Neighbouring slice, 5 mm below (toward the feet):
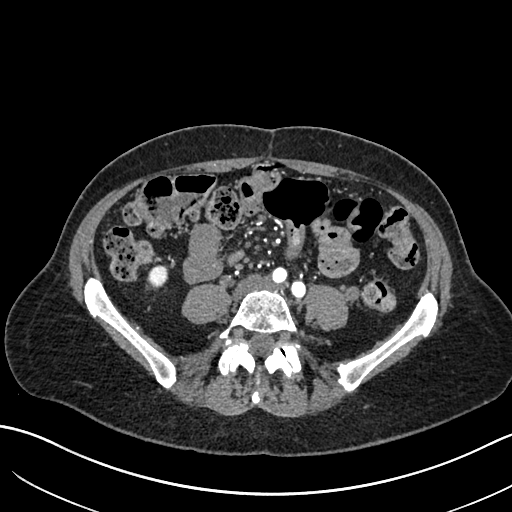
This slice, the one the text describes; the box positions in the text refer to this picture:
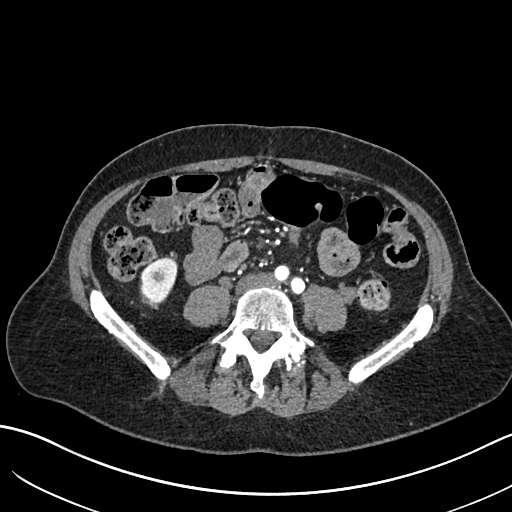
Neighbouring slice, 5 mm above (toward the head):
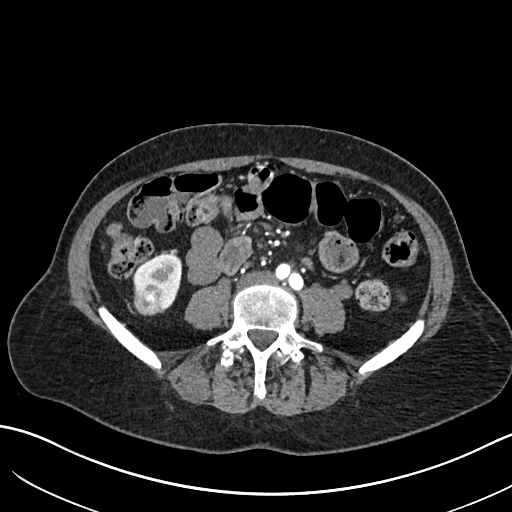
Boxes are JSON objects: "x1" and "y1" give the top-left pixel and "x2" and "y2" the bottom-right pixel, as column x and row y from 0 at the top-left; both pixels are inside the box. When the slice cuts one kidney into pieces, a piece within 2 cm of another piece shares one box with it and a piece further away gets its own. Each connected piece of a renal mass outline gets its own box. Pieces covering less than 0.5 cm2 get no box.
This is axial slice 251 of 683 (slice 1 is the lowest) of an arterial-phase abdominal CT with contrast; each pixel is 0.738 mm and the slice is 1.00 mm thick. One kidney box and one renal mass box on this slice; by box centre, from the image's left to its right: (1) Right renal mass, box {"x1": 141, "y1": 287, "x2": 161, "y2": 304} (outlined area 286 px, about 1.6 cm2). (2) Right kidney at {"x1": 140, "y1": 256, "x2": 177, "y2": 302} (outlined area 1,118 px, about 6.1 cm2). This slice lies near the end of the right renal mass toward the feet; the slices 5 mm below and 5 mm above it are shown too, and the boxes mark positions on this slice only.
Tube voltage 120 kVp; convolution kernel I30f.